Contrast-enhanced abdominal CT, axial slice 34 of 38 (counted from the lowest slice); tube voltage 100 kVp, convolution kernel I30f; slices 5.00 mm thick, 0.730 mm per pixel.
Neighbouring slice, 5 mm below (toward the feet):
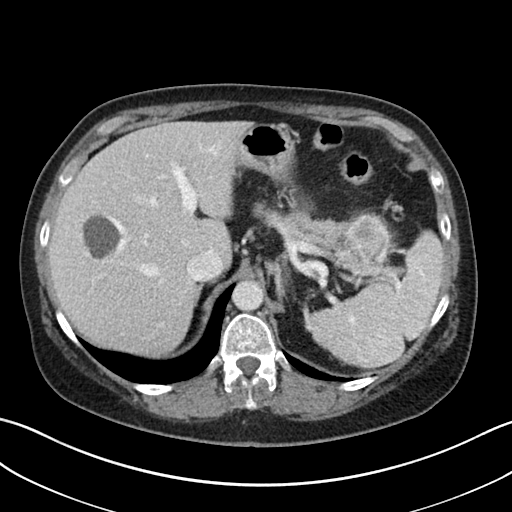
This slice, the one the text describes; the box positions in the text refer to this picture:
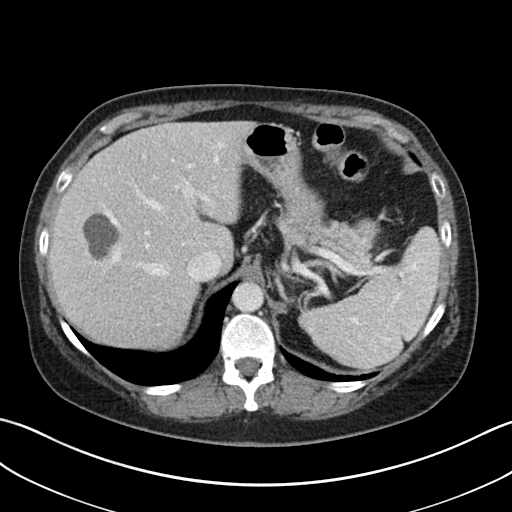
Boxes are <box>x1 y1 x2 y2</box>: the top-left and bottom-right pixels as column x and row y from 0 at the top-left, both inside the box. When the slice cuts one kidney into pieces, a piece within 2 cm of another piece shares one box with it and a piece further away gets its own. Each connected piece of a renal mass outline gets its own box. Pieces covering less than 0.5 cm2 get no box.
Left renal mass at <box>355 218 381 236</box> (outlined area 375 px, about 2.0 cm2); no kidney outline appears on this slice, but the same outlined renal mass comes within 1 cm of the kidney on another slice. This slice lies near the end of the left renal mass toward the head; the slice 5 mm below it is shown too, and the boxes mark positions on this slice only.